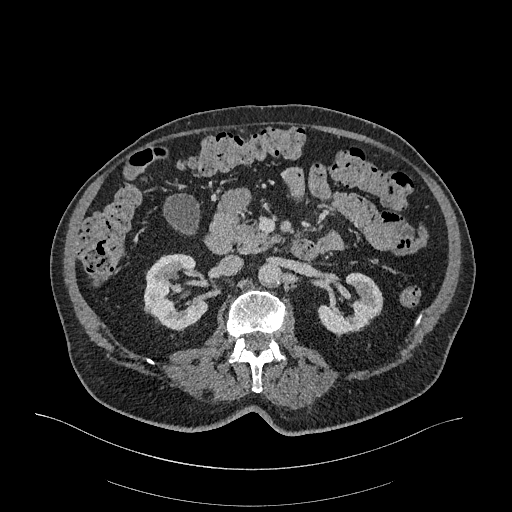
Abdominal CT with intravenous contrast, arterial phase, axial plane, 120 kVp, kernel I26f. Slice 170/470 from the bottom of the scan; thickness 1.00 mm; pixel size 0.938 mm.
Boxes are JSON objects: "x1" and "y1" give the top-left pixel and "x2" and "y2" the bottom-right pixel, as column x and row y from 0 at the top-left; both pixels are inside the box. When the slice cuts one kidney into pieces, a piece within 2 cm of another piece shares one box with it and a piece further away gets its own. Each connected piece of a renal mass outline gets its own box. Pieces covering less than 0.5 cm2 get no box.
Two boxes on this slice (two kidney boxes), listed by box centre from the image's left to its right. (1) Box {"x1": 143, "y1": 253, "x2": 206, "y2": 331}: right kidney (outlined area 3,478 px, about 30.6 cm2). (2) Left kidney, box {"x1": 317, "y1": 272, "x2": 383, "y2": 337} (outlined area 2,563 px, about 22.5 cm2). No renal mass is outlined on this slice.